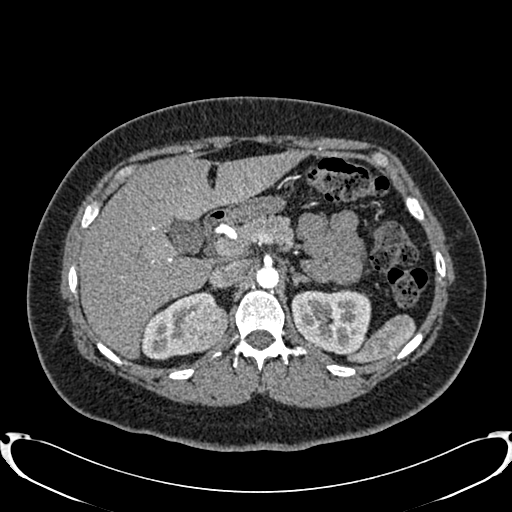
Arterial-phase contrast-enhanced abdominal CT, axial slice 555 of 719 (counted from the lowest slice); tube voltage 120 kVp, convolution kernel B20f; slices 1.00 mm thick, 0.766 mm per pixel.
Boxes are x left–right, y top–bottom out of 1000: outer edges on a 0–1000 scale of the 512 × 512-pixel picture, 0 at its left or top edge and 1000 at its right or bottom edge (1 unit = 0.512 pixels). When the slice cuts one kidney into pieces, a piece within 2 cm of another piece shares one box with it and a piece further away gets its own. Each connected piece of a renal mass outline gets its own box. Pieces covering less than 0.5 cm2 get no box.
Boxed on this slice (two kidney boxes and one renal mass box), listed by box centre from the image's left to its right: (1) Box x 273–424, y 568–705 out of 1000: right kidney (outlined area 2,546 px, about 14.9 cm2). (2) Right renal mass, box x 352–447, y 596–686 out of 1000 (outlined area 1,746 px, about 10.2 cm2). (3) Left kidney, box x 568–727, y 564–693 out of 1000 (outlined area 4,191 px, about 24.6 cm2).